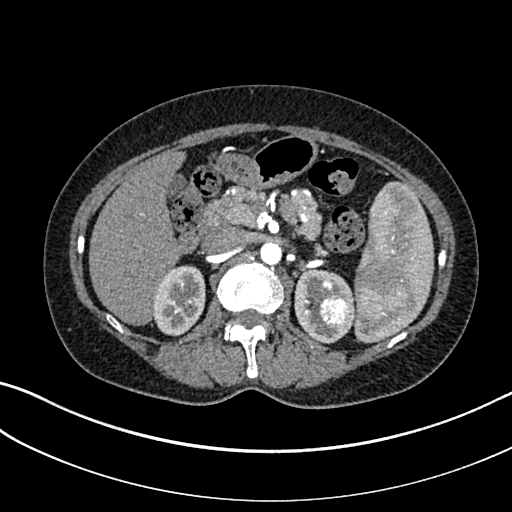
Abdominal CT with intravenous contrast, arterial phase, axial plane, 100 kVp, kernel I30f. Slice 202/325 from the bottom of the scan; thickness 1.00 mm; pixel size 0.703 mm.
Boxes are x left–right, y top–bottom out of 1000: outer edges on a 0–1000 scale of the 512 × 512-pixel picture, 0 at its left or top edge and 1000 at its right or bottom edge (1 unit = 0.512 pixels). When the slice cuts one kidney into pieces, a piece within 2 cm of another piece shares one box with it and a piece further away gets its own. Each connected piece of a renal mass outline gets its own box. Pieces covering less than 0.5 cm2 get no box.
Boxed on this slice (two kidney boxes and one renal mass box), listed by box centre from the image's left to its right: (1) Right kidney at x 297–402, y 518–658 out of 1000 (outlined area 2,997 px, about 14.8 cm2). (2) Left kidney, box x 574–693, y 521–672 out of 1000 (outlined area 2,740 px, about 13.5 cm2). (3) Left renal mass at x 621–686, y 576–646 out of 1000 (outlined area 899 px, about 4.4 cm2).